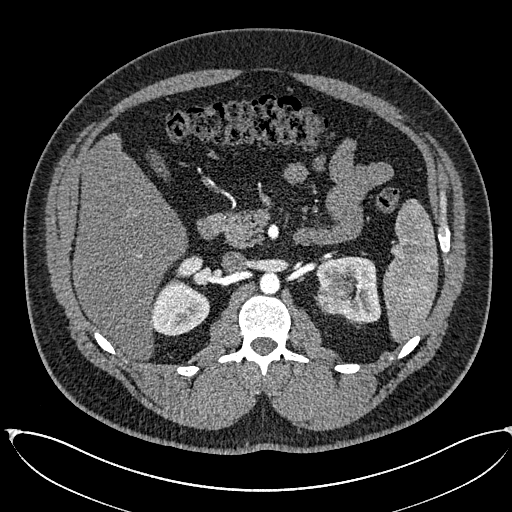
Abdominal CT with intravenous contrast, arterial phase, axial plane, 120 kVp, kernel I30f. Slice 388/673 from the bottom of the scan; thickness 1.00 mm; pixel size 0.855 mm.
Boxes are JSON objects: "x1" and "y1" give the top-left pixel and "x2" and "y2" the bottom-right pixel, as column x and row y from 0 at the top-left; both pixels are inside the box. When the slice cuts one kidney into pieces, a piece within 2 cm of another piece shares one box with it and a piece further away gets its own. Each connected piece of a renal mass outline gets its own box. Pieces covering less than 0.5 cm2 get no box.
Three boxes on this slice (two kidney boxes and one renal mass box), listed by box centre from the image's left to its right. (1) Right kidney at {"x1": 150, "y1": 256, "x2": 210, "y2": 336} (outlined area 2,872 px, about 21.0 cm2). (2) Box {"x1": 314, "y1": 278, "x2": 354, "y2": 314}: left renal mass (outlined area 1,157 px, about 8.5 cm2). (3) Box {"x1": 316, "y1": 256, "x2": 381, "y2": 323}: left kidney (outlined area 2,473 px, about 18.1 cm2).